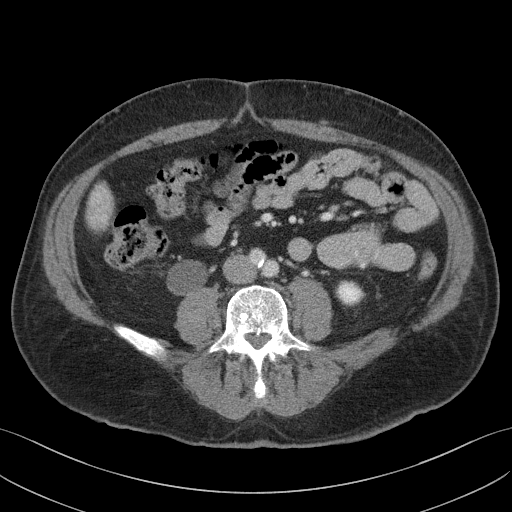
Abdominal CT with intravenous contrast, axial plane, 100 kVp, kernel I41f. Slice 54/103 from the bottom of the scan; thickness 4.00 mm; pixel size 0.742 mm.
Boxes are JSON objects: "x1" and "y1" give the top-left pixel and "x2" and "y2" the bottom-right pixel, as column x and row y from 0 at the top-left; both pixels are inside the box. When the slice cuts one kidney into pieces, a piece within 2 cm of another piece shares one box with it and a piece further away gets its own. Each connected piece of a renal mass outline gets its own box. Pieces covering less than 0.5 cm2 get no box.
Boxed on this slice (two kidney boxes), listed by box centre from the image's left to its right: (1) Box {"x1": 166, "y1": 260, "x2": 209, "y2": 295}: right kidney (outlined area 1,203 px, about 6.6 cm2). (2) Left kidney at {"x1": 336, "y1": 281, "x2": 362, "y2": 304} (outlined area 521 px, about 2.9 cm2). No renal mass outline on this slice.